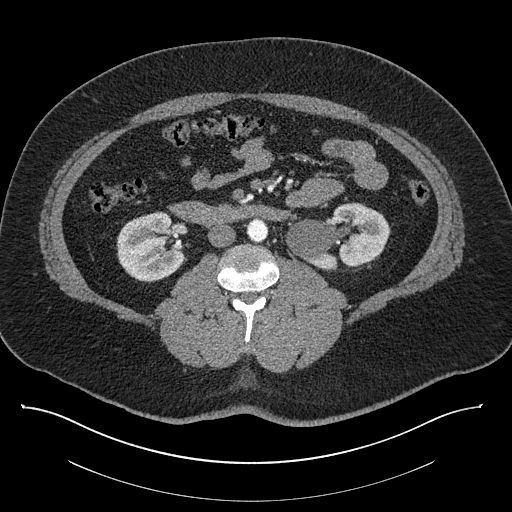
Axial slice 444 of 787 of a contrast-enhanced abdominal CT (slice 1 is the lowest), 140 kVp, kernel I30f; 1.00 mm slice thickness and 0.910 mm pixels.
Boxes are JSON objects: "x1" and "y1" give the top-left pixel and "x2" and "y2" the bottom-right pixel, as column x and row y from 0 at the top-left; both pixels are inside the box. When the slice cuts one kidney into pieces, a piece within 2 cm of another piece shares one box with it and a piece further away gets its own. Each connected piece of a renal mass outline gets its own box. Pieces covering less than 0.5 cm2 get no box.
Two boxes on this slice (two kidney boxes), listed by box centre from the image's left to its right. (1) Right kidney, box {"x1": 116, "y1": 211, "x2": 185, "y2": 281} (outlined area 3,697 px, about 30.6 cm2). (2) Left kidney, box {"x1": 286, "y1": 202, "x2": 389, "y2": 269} (outlined area 4,712 px, about 39.0 cm2). No renal mass outline on this slice.